Contrast-enhanced abdominal CT, axial slice 55 of 98 (counted from the lowest slice); tube voltage 130 kVp, convolution kernel B30s; slices 5.00 mm thick, 0.840 mm per pixel.
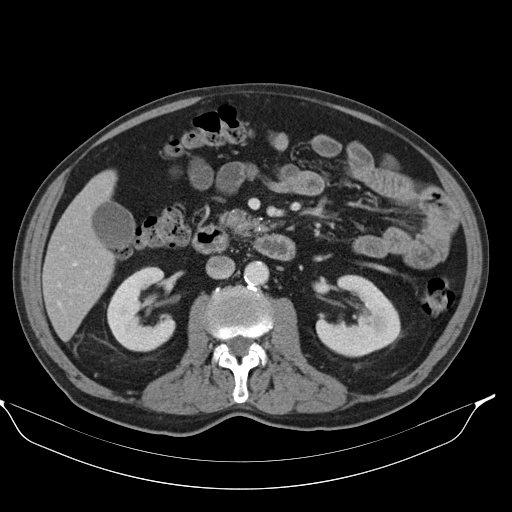
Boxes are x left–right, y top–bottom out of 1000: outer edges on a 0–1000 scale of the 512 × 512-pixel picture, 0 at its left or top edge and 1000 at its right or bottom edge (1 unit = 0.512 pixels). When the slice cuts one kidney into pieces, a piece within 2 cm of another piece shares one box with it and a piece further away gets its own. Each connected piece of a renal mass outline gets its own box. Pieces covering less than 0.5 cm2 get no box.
Boxed on this slice (two kidney boxes), listed by box centre from the image's left to its right: (1) Right kidney at x 209–344, y 520–688 out of 1000 (outlined area 3,997 px, about 28.2 cm2). (2) Box x 615–785, y 535–699 out of 1000: left kidney (outlined area 4,521 px, about 31.9 cm2). This slice carries no renal mass outline.